Abdominal CT with intravenous contrast, arterial phase, axial plane, 120 kVp, kernel B41f. Slice 64/103 from the bottom of the scan; thickness 5.00 mm; pixel size 0.951 mm.
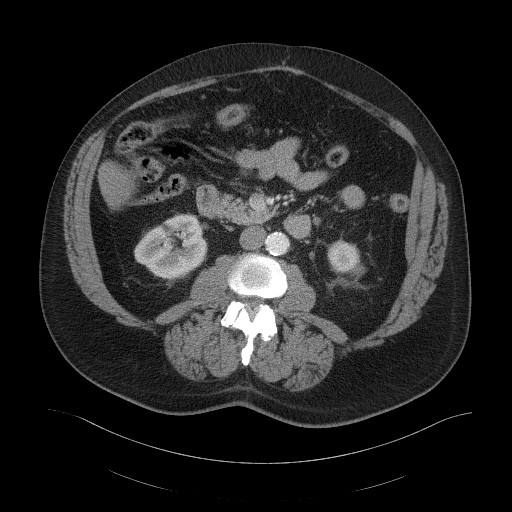
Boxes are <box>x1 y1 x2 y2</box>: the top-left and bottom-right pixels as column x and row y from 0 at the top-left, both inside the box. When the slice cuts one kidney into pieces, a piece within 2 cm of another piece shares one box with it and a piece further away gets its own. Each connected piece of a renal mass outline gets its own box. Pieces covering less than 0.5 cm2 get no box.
Two boxes on this slice (two kidney boxes), listed by box centre from the image's left to its right. (1) At <box>134 213 207 278</box>: right kidney (outlined area 3,495 px, about 31.6 cm2). (2) At <box>327 240 360 272</box>: left kidney (outlined area 879 px, about 8.0 cm2). This slice carries no renal mass outline.